Abdominal CT with intravenous contrast, axial plane, 140 kVp, kernel I30f. Slice 416/834 from the bottom of the scan; thickness 1.00 mm; pixel size 0.977 mm.
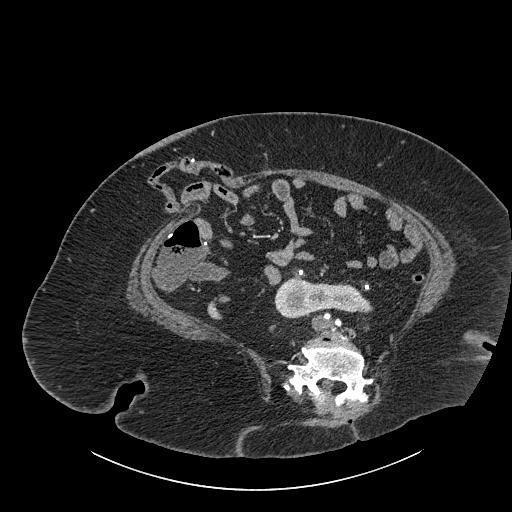
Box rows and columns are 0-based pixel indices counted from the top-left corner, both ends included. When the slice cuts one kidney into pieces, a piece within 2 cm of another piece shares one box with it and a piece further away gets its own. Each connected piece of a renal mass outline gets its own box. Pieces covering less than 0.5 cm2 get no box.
Kidney crossing the body midline, box rows 277–318, columns 274–373 (outlined area 2,791 px, about 26.6 cm2). This slice carries no renal mass outline.